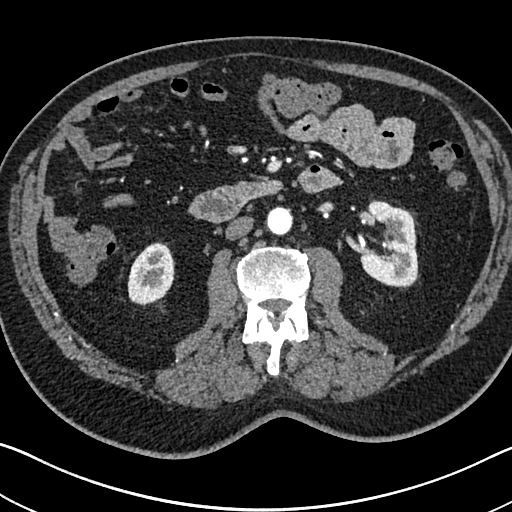
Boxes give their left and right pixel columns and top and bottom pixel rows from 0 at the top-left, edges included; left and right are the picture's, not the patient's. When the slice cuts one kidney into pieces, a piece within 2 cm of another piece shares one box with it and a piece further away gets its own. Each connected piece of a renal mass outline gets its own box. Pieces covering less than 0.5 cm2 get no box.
Slice 382/705 of a contrast-enhanced abdominal CT in the arterial phase, counting up from the lowest; pixel size 0.703 mm, slice thickness 1.00 mm. Two kidney boxes on this slice; by box centre, from the image's left to its right: (1) Box with left 127, top 242, right 174, bottom 305: right kidney (outlined area 2,295 px, about 11.3 cm2). (2) Left kidney in the box with left 359, top 200, right 419, bottom 288 (outlined area 3,865 px, about 19.1 cm2). No renal mass is outlined on this slice.
Acquired at 120 kVp and reconstructed with the I30f kernel.